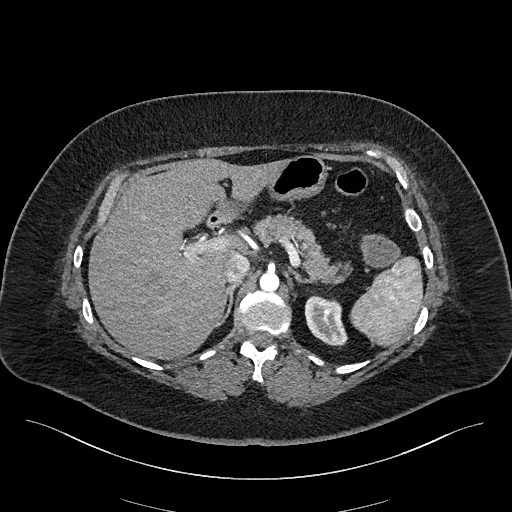
Abdominal CT with intravenous contrast, arterial phase, axial plane, 100 kVp, kernel I40f. Slice 156/270 from the bottom of the scan; thickness 2.00 mm; pixel size 0.855 mm.
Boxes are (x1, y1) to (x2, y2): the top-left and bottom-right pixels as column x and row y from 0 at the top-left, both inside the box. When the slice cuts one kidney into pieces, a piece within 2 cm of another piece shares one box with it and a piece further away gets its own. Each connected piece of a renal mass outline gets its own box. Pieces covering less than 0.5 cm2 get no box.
Left kidney, box (304, 295) to (347, 347) (outlined area 1,620 px, about 11.9 cm2). No renal mass is outlined on this slice.